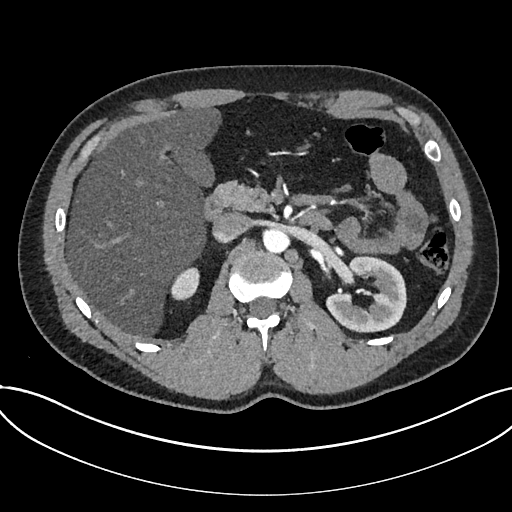
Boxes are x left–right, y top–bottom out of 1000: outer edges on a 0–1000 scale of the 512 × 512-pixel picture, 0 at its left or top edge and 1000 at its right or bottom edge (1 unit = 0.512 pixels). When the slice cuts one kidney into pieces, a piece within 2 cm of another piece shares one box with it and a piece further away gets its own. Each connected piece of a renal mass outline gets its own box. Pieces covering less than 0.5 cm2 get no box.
Slice 467/735 of a contrast-enhanced abdominal CT in the arterial phase, counting up from the lowest; pixel size 0.789 mm, slice thickness 1.00 mm. Two boxes on this slice (two kidney boxes), listed by box centre from the image's left to its right. (1) Kidney, box x 332–391, y 521–588 out of 1000 (outlined area 738 px, about 4.6 cm2). (2) Box x 635–797, y 500–650 out of 1000: kidney (outlined area 4,256 px, about 26.5 cm2). No renal mass outline on this slice.
Acquired at 120 kVp and reconstructed with the I30f kernel.